One axial slice (308 of 470, counting up from the lowest) of a contrast-enhanced abdominal CT acquired with 100 kVp, kernel I40f; each pixel is 0.824 mm and the slice is 2.00 mm thick.
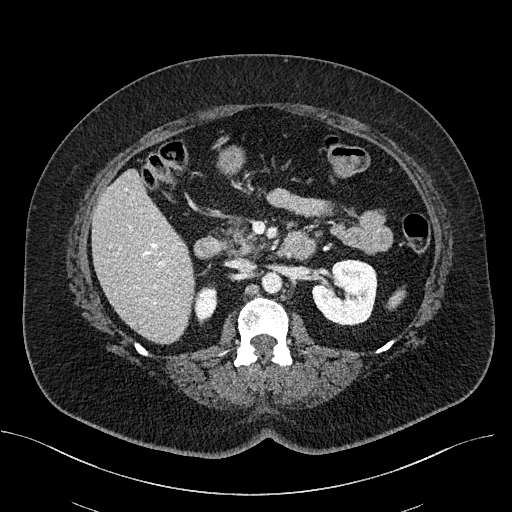
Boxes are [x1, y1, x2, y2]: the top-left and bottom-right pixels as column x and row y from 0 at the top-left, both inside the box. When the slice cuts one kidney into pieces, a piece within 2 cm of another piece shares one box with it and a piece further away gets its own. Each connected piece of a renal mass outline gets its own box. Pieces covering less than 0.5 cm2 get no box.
Two boxes on this slice (two kidney boxes), listed by box centre from the image's left to its right. (1) Right kidney at [194, 284, 217, 319] (outlined area 657 px, about 4.5 cm2). (2) Left kidney, box [311, 259, 377, 325] (outlined area 3,378 px, about 22.9 cm2). No renal mass outline on this slice.